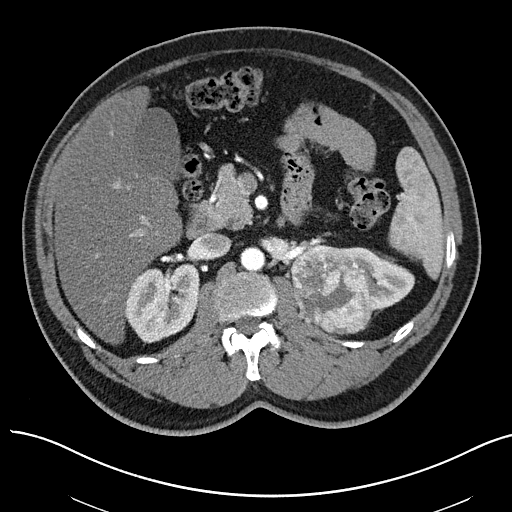
One axial slice (41 of 97, counting up from the lowest) of an arterial-phase abdominal CT acquired with 100 kVp, kernel I40f; each pixel is 0.797 mm and the slice is 3.00 mm thick.
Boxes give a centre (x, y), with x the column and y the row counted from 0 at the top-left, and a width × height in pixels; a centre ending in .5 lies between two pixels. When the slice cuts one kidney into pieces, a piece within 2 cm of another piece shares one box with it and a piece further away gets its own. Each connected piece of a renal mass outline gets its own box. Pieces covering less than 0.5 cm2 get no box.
Boxed on this slice (two kidney boxes and one renal mass box), listed by box centre from the image's left to its right: (1) Right kidney in a box with centre (162, 302.5), 77 × 82 pixels (outlined area 4,575 px, about 29.1 cm2). (2) Left renal mass in a box with centre (331, 290.5), 85 × 94 pixels (outlined area 5,956 px, about 37.8 cm2). (3) Left kidney, box centre (378, 279), 73 × 65 pixels (outlined area 2,192 px, about 13.9 cm2).